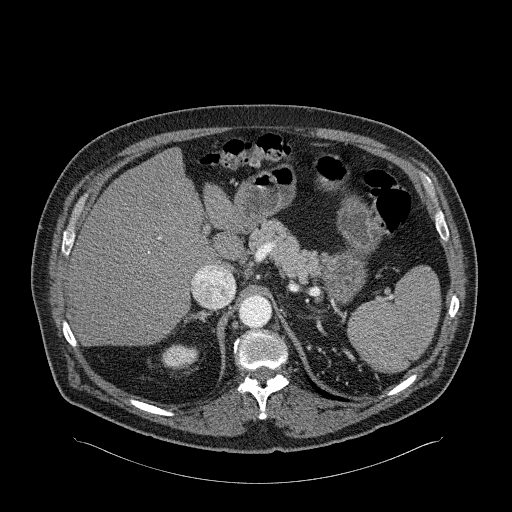
One axial slice (201 of 326, counting up from the lowest) of an arterial-phase abdominal CT acquired with 120 kVp, kernel B31f; each pixel is 0.963 mm and the slice is 2.00 mm thick.
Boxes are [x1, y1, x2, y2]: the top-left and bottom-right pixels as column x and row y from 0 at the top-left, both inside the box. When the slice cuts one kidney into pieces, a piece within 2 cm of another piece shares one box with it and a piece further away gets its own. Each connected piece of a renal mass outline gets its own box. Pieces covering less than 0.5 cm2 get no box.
Box [161, 344, 198, 369]: right kidney (outlined area 727 px, about 6.7 cm2). This slice carries no renal mass outline.